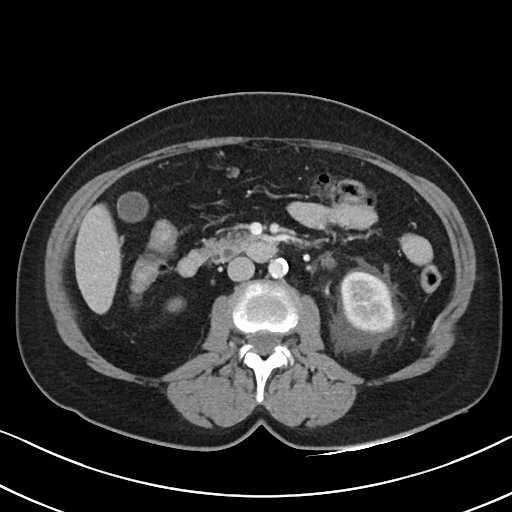
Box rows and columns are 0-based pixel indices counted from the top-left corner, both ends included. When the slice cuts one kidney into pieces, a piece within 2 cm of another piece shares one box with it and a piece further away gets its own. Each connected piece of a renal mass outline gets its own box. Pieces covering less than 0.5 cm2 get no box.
This is axial slice 53 of 88 (slice 1 is the lowest) of an abdominal CT with contrast; each pixel is 0.674 mm and the slice is 5.00 mm thick. Two boxes on this slice (two kidney boxes), listed by box centre from the image's left to its right. (1) Right kidney at rows 297–311, columns 166–184 (outlined area 202 px, about 0.9 cm2). (2) Box rows 271–333, columns 340–396: left kidney (outlined area 2,847 px, about 12.9 cm2). No renal mass outline on this slice.
Scan settings: 100 kVp, I40f reconstruction kernel.